One axial slice (49 of 98, counting up from the lowest) of a contrast-enhanced abdominal CT acquired with 130 kVp, kernel B30s; each pixel is 0.840 mm and the slice is 5.00 mm thick.
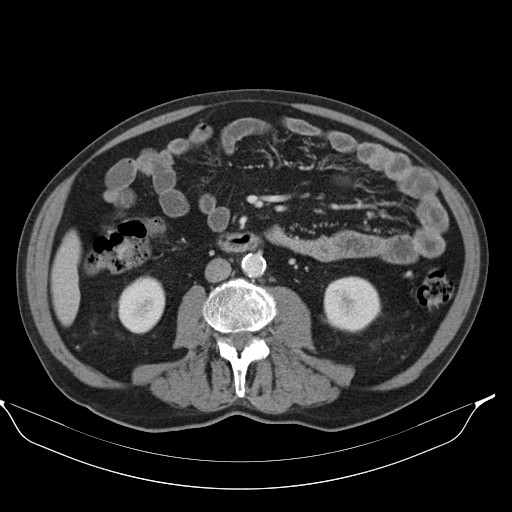
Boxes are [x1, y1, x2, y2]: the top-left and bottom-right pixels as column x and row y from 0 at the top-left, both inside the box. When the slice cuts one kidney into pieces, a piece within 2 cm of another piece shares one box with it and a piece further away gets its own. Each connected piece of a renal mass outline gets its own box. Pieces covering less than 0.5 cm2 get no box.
Boxed on this slice (two kidney boxes), listed by box centre from the image's left to its right: (1) Right kidney, box [117, 276, 165, 334] (outlined area 2,159 px, about 15.2 cm2). (2) Left kidney, box [323, 276, 381, 333] (outlined area 2,623 px, about 18.5 cm2). This slice carries no renal mass outline.